One axial slice (54 of 145, counting up from the lowest) of a contrast-enhanced abdominal CT acquired with 120 kVp, kernel B41f; each pixel is 0.859 mm and the slice is 5.00 mm thick.
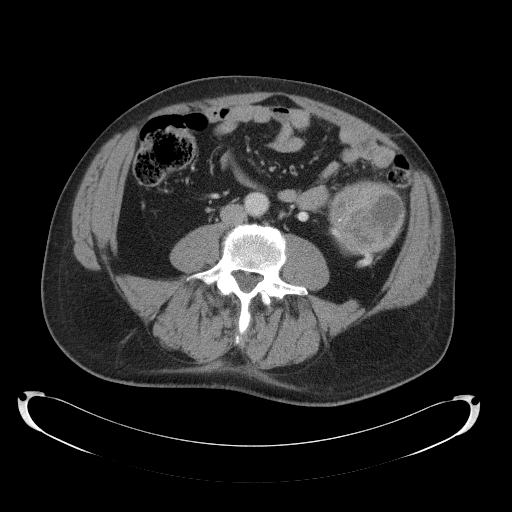
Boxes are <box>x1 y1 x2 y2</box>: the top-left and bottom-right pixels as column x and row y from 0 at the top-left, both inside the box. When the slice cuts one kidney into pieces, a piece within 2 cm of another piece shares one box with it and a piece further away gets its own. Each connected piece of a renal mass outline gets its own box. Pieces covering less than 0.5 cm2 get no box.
Left renal mass: <box>328 180 405 267</box> (outlined area 4,927 px, about 36.4 cm2); no kidney outline appears on this slice, but the same outlined renal mass comes within 1 cm of the kidney on another slice.